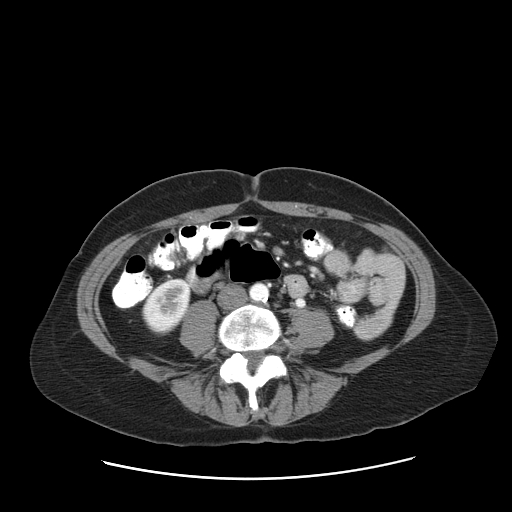
One axial slice (40 of 83, counting up from the lowest) of an arterial-phase abdominal CT acquired with 120 kVp, kernel STANDARD; each pixel is 0.775 mm and the slice is 5.00 mm thick.
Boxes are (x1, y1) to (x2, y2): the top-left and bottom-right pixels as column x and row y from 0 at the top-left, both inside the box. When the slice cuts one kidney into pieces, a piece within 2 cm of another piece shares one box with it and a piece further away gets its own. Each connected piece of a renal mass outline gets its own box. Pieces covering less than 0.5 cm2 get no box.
Right kidney, box (142, 278) to (191, 335) (outlined area 2,039 px, about 12.3 cm2). No renal mass is outlined on this slice.